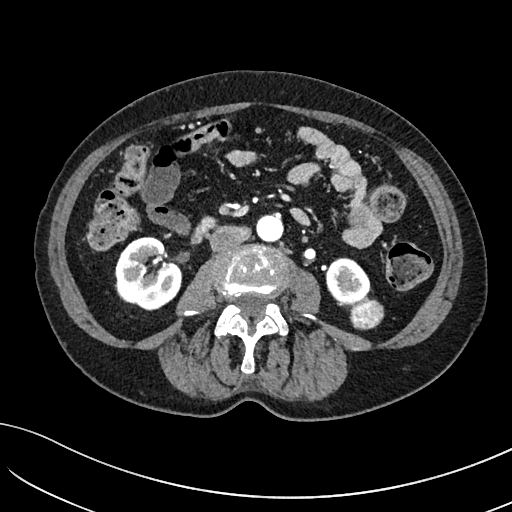
Abdominal CT with intravenous contrast, arterial phase, axial plane, 100 kVp, kernel I40f. Slice 31/234 from the bottom of the scan; thickness 2.00 mm; pixel size 0.699 mm.
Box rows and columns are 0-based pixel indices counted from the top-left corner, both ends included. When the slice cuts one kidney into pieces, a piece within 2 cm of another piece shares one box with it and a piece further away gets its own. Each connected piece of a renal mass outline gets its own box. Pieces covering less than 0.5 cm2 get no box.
Three boxes on this slice (two kidney boxes and one renal mass box), listed by box centre from the image's left to its right. (1) Right kidney, box rows 236–310, columns 114–181 (outlined area 3,752 px, about 18.3 cm2). (2) Left kidney at rows 257–306, columns 325–370 (outlined area 1,649 px, about 8.1 cm2). (3) Box rows 298–329, columns 346–384: left renal mass (outlined area 889 px, about 4.3 cm2).